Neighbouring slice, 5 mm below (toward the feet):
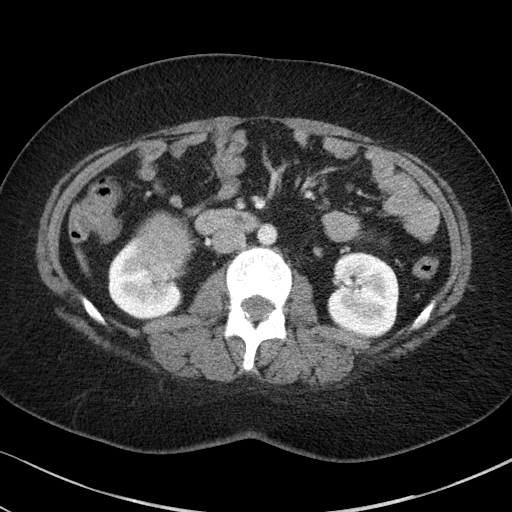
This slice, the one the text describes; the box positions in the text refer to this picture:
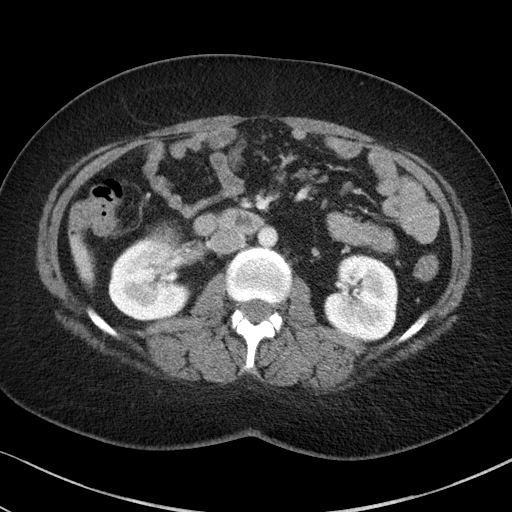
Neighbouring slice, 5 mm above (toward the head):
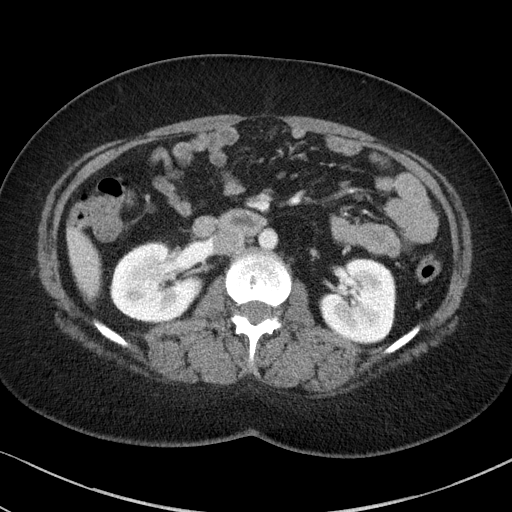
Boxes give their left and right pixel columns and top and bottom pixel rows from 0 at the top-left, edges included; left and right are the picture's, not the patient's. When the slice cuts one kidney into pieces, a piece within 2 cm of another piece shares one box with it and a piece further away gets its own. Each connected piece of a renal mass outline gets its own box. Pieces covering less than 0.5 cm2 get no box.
Slice 52/85 of a contrast-enhanced abdominal CT in the arterial phase, counting up from the lowest; pixel size 0.664 mm, slice thickness 5.00 mm. Three boxes on this slice (two kidney boxes and one renal mass box), listed by box centre from the image's left to its right. (1) Box with left 108, top 238, right 190, bottom 320: right kidney (outlined area 4,978 px, about 22.0 cm2). (2) Right renal mass, the box with left 147, top 225, right 181, bottom 253 (outlined area 749 px, about 3.3 cm2). (3) Left kidney in the box with left 323, top 253, right 398, bottom 341 (outlined area 5,053 px, about 22.3 cm2). This slice is near the end of the right renal mass toward the head, so the slices 5 mm below and 5 mm above it are shown as well; the boxes refer to this slice only.
Scan settings: 100 kVp, I41f reconstruction kernel.